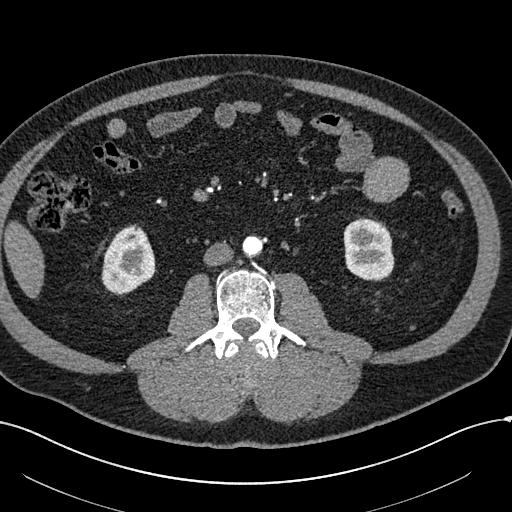
One axial slice (238 of 602, counting up from the lowest) of an arterial-phase abdominal CT acquired with 120 kVp, kernel I30f; each pixel is 0.799 mm and the slice is 1.00 mm thick.
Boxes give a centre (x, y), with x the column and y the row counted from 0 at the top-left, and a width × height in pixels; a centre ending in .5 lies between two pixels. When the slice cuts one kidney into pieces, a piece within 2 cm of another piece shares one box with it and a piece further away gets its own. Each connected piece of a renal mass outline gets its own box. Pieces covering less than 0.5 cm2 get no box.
Two kidney boxes and one renal mass box on this slice; by box centre, from the image's left to its right: (1) Right renal mass in a box with centre (112.5, 262.5), 16 × 14 pixels (outlined area 178 px, about 1.1 cm2). (2) Box centre (128.5, 259.5), 56 × 72 pixels: right kidney (outlined area 2,653 px, about 16.9 cm2). (3) Box centre (368.5, 249), 52 × 65 pixels: left kidney (outlined area 2,685 px, about 17.1 cm2).